One axial slice (505 of 665, counting up from the lowest) of an arterial-phase abdominal CT acquired with 100 kVp, kernel I26f; each pixel is 0.828 mm and the slice is 1.00 mm thick.
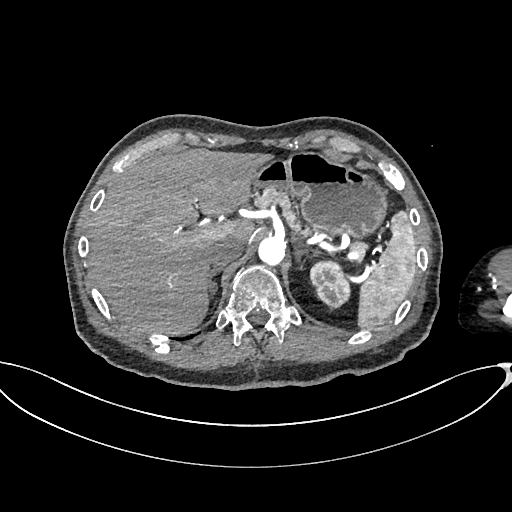
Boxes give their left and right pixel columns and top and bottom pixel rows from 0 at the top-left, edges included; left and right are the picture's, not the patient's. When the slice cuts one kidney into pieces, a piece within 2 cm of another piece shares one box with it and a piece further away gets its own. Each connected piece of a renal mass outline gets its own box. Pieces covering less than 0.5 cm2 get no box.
Left kidney in the box with left 309, top 259, right 350, bottom 310 (outlined area 1,557 px, about 10.7 cm2). This slice carries no renal mass outline.